Abdominal CT with intravenous contrast, arterial phase, axial plane, 120 kVp, kernel I30f. Slice 295/602 from the bottom of the scan; thickness 1.00 mm; pixel size 0.799 mm.
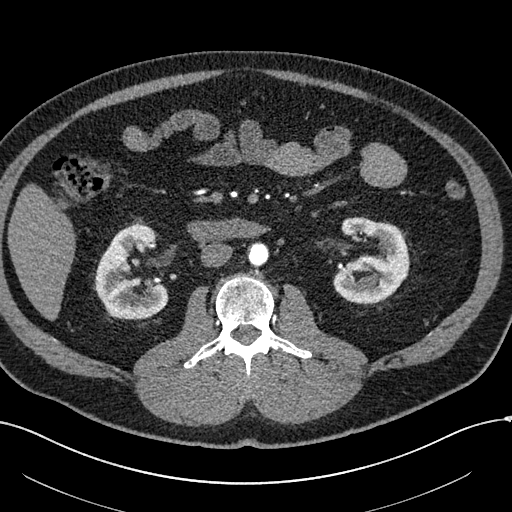
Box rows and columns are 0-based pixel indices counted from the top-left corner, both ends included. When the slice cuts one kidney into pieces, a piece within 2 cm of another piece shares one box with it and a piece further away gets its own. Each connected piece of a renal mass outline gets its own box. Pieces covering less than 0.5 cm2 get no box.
Boxed on this slice (two kidney boxes), listed by box centre from the image's left to its right: (1) Box rows 220–320, columns 93–168: right kidney (outlined area 4,919 px, about 31.4 cm2). (2) Left kidney, box rows 217–304, columns 332–409 (outlined area 4,763 px, about 30.4 cm2). No renal mass is outlined on this slice.